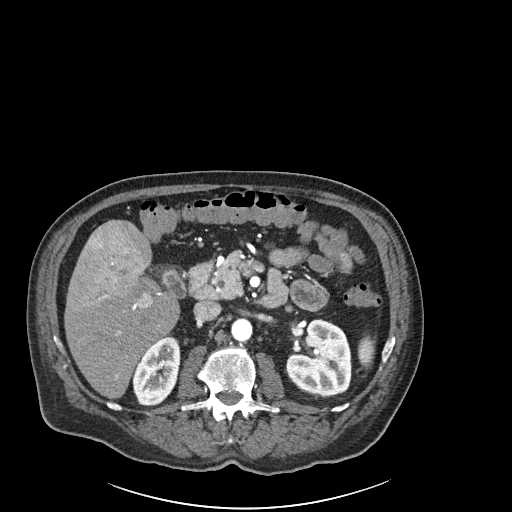
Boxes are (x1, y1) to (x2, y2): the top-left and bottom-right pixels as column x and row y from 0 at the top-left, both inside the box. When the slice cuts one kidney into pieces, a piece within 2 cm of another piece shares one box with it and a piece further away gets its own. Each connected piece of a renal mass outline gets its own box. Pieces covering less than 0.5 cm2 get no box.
This is axial slice 118 of 261 (slice 1 is the lowest) of an arterial-phase abdominal CT with contrast; each pixel is 0.939 mm and the slice is 2.00 mm thick. Boxed on this slice (two kidney boxes), listed by box centre from the image's left to its right: (1) Right kidney from (131, 335) to (180, 406) (outlined area 2,504 px, about 22.1 cm2). (2) Left kidney, box (285, 319) to (351, 395) (outlined area 3,916 px, about 34.6 cm2). This slice carries no renal mass outline.
Tube voltage 120 kVp; convolution kernel I30f.